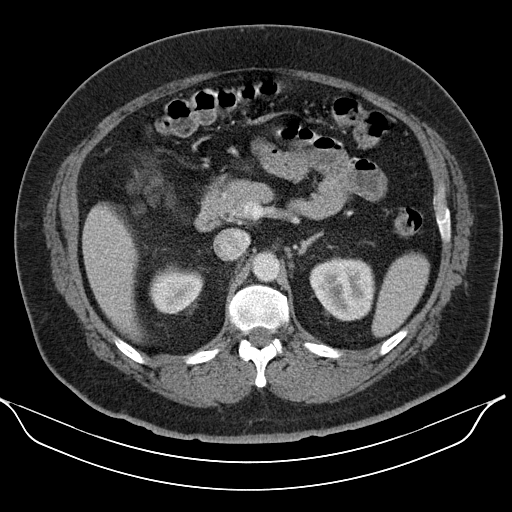
Arterial-phase contrast-enhanced abdominal CT, axial slice 76 of 110 (counted from the lowest slice); tube voltage 130 kVp, convolution kernel B30s; slices 5.00 mm thick, 0.836 mm per pixel.
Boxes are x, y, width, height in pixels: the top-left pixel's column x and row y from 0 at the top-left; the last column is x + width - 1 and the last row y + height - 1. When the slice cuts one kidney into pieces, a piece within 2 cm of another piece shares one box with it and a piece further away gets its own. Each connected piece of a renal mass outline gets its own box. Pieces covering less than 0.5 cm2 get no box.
Boxed on this slice (two kidney boxes), listed by box centre from the image's left to its right: (1) Right kidney, box x 149, y 264, width 55, height 51 (outlined area 2,078 px, about 14.5 cm2). (2) Left kidney, box x 309, y 257, width 67, height 65 (outlined area 3,361 px, about 23.5 cm2). This slice carries no renal mass outline.